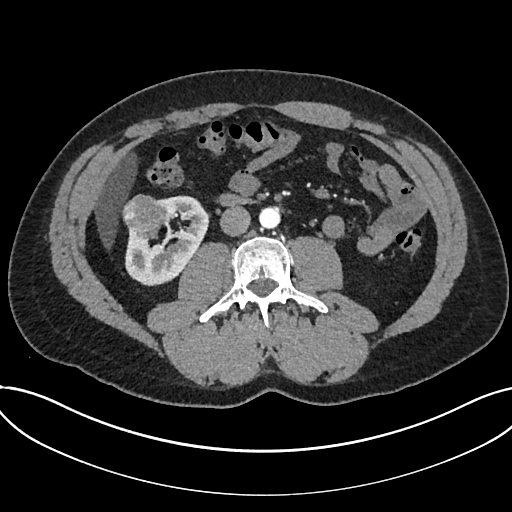
One axial slice (347 of 735, counting up from the lowest) of an arterial-phase abdominal CT acquired with 120 kVp, kernel I30f; each pixel is 0.789 mm and the slice is 1.00 mm thick.
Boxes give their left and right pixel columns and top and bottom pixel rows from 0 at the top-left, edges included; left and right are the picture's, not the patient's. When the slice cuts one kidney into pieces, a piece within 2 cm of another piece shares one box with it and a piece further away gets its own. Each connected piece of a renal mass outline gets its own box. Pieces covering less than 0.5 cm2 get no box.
Boxed on this slice (one kidney box and one renal mass box), listed by box centre from the image's left to its right: (1) Renal mass, the box with left 122, top 194, right 168, bottom 238 (outlined area 1,529 px, about 9.5 cm2). (2) Kidney in the box with left 125, top 195, right 208, bottom 286 (outlined area 4,362 px, about 27.2 cm2).